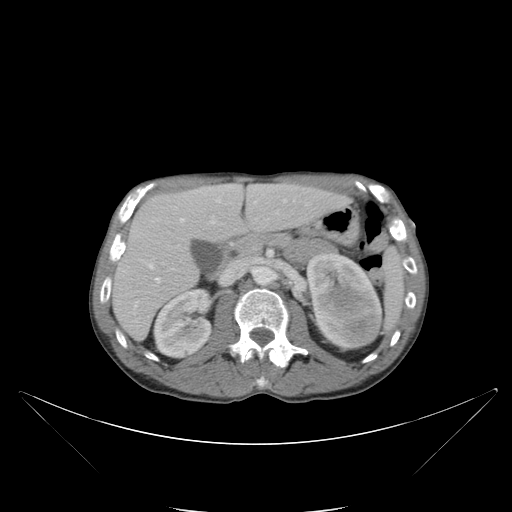
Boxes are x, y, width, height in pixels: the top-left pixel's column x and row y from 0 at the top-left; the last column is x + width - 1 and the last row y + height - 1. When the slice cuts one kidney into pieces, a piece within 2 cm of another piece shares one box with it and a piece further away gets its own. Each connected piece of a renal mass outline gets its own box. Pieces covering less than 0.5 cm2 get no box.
Contrast-enhanced abdominal CT, axial slice 62 of 88 (counted from the lowest slice); 5.00 mm thick, 0.865 mm per pixel. Three boxes on this slice (two kidney boxes and one renal mass box), listed by box centre from the image's left to its right. (1) Box x 153, y 287, width 61, height 73: right kidney (outlined area 3,297 px, about 24.7 cm2). (2) Left kidney, box x 307, y 254, width 71, height 46 (outlined area 1,904 px, about 14.3 cm2). (3) Box x 311, y 286, width 73, height 63: left renal mass (outlined area 3,659 px, about 27.4 cm2).
Acquired at 120 kVp and reconstructed with the B kernel.